Abdominal CT with intravenous contrast, arterial phase, axial plane, 100 kVp, kernel I40f. Slice 77/234 from the bottom of the scan; thickness 2.00 mm; pixel size 0.699 mm.
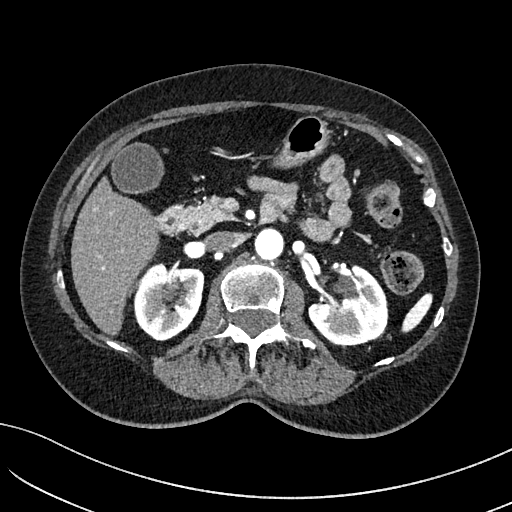
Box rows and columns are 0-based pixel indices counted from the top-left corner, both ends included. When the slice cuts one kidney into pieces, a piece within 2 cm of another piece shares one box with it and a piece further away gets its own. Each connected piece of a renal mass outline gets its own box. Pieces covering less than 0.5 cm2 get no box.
Boxed on this slice (two kidney boxes), listed by box centre from the image's left to its right: (1) Right kidney, box rows 262–341, columns 133–204 (outlined area 4,294 px, about 21.0 cm2). (2) Box rows 264–347, columns 308–388: left kidney (outlined area 4,537 px, about 22.2 cm2). No renal mass is outlined on this slice.